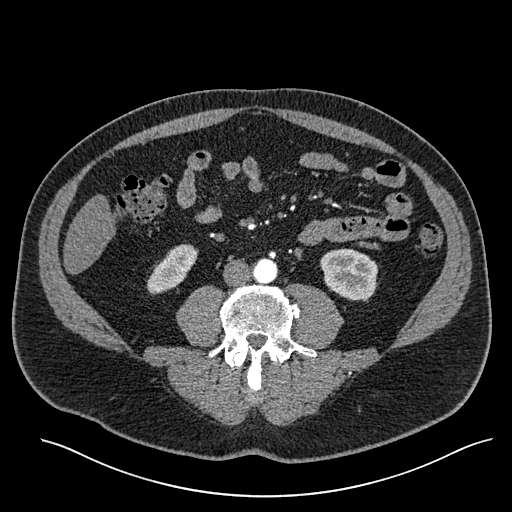
Arterial-phase contrast-enhanced abdominal CT, axial slice 210 of 527 (counted from the lowest slice); tube voltage 120 kVp, convolution kernel I30f; slices 1.00 mm thick, 0.859 mm per pixel.
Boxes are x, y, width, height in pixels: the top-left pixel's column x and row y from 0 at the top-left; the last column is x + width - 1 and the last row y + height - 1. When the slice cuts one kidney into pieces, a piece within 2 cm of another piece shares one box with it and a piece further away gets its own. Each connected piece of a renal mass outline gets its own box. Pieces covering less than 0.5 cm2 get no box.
Two kidney boxes on this slice; by box centre, from the image's left to its right: (1) Box x 146, y 244, width 53, height 51: right kidney (outlined area 1,551 px, about 11.5 cm2). (2) Box x 320, y 248, width 58, height 55: left kidney (outlined area 2,405 px, about 17.8 cm2). No renal mass is outlined on this slice.